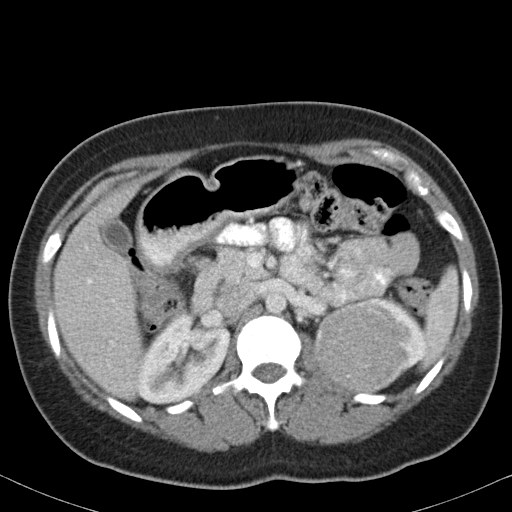
One axial slice (64 of 82, counting up from the lowest) of an arterial-phase abdominal CT acquired with 120 kVp, kernel B31f; each pixel is 0.625 mm and the slice is 5.00 mm thick.
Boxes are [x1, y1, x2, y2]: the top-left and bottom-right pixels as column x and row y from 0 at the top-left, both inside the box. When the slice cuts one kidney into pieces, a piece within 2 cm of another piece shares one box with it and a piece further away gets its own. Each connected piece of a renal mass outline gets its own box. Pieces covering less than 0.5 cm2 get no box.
Two kidney boxes and one renal mass box on this slice; by box centre, from the image's left to its right: (1) Right kidney, box [136, 314, 230, 406] (outlined area 6,157 px, about 24.1 cm2). (2) Left renal mass, box [313, 299, 405, 395] (outlined area 6,674 px, about 26.1 cm2). (3) Left kidney, box [366, 298, 426, 369] (outlined area 1,469 px, about 5.7 cm2).